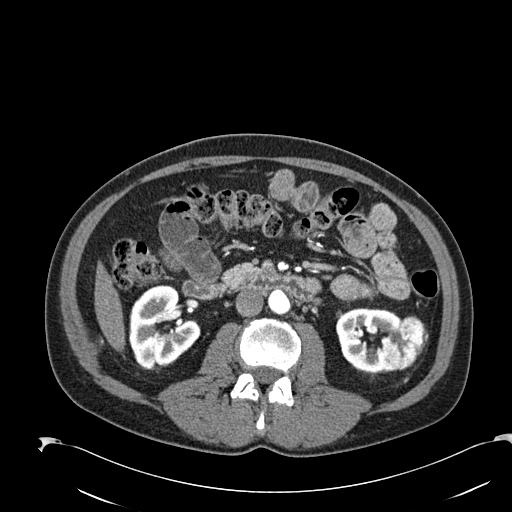
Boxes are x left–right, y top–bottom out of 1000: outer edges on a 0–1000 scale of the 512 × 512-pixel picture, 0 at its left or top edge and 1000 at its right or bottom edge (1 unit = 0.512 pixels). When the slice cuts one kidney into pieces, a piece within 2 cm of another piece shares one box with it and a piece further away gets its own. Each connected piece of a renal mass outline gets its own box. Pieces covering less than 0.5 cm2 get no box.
This is axial slice 99 of 274 (slice 1 is the lowest) of an arterial-phase abdominal CT with contrast; each pixel is 0.809 mm and the slice is 2.00 mm thick. Boxed on this slice (two kidney boxes and one renal mass box), listed by box centre from the image's left to its right: (1) Right kidney, box x 252–391, y 557–721 out of 1000 (outlined area 4,112 px, about 26.9 cm2). (2) Left kidney, box x 656–783, y 602–730 out of 1000 (outlined area 2,805 px, about 18.3 cm2). (3) Left renal mass at x 740–838, y 617–725 out of 1000 (outlined area 1,810 px, about 11.8 cm2).
Acquired at 120 kVp and reconstructed with the B30f kernel.